Axial slice 31 of 53 of a contrast-enhanced abdominal CT in the arterial phase (slice 1 is the lowest), 120 kVp, kernel B30f; 3.00 mm slice thickness and 0.547 mm pixels.
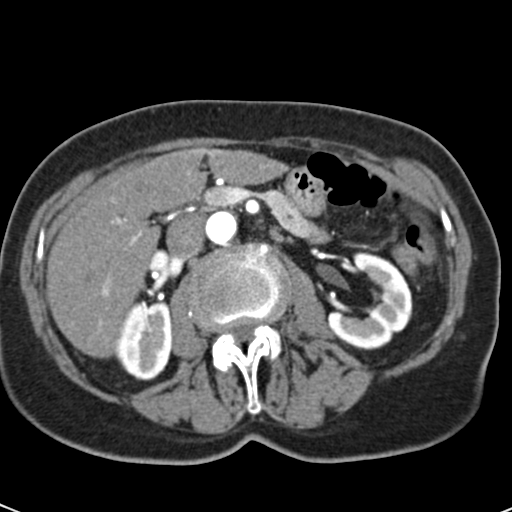
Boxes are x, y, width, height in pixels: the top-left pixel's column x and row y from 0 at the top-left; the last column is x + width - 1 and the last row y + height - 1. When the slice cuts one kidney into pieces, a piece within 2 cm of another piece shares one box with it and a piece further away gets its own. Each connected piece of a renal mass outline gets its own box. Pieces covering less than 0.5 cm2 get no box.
Two boxes on this slice (two kidney boxes), listed by box centre from the image's left to its right. (1) Right kidney at x 116, y 300, width 57, height 81 (outlined area 3,595 px, about 10.8 cm2). (2) Box x 326, y 252, width 87, height 98: left kidney (outlined area 4,885 px, about 14.6 cm2). No renal mass is outlined on this slice.